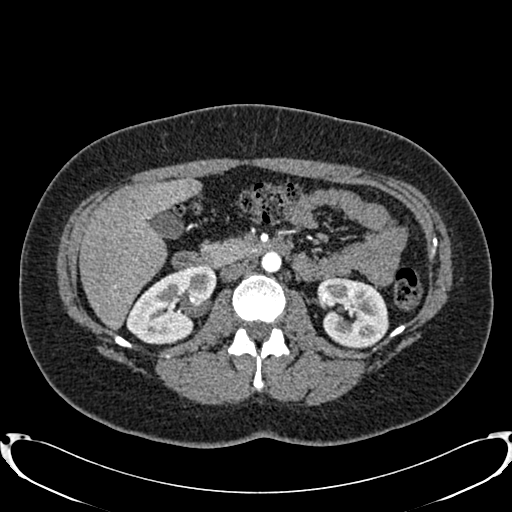
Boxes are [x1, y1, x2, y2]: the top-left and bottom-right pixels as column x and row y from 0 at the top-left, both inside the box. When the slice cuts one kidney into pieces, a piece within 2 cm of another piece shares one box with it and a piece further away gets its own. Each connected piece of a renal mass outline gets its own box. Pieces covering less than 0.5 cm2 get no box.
Arterial-phase contrast-enhanced abdominal CT, axial slice 457 of 719 (counted from the lowest slice); 1.00 mm thick, 0.766 mm per pixel. Boxed on this slice (two kidney boxes), listed by box centre from the image's left to its right: (1) Right kidney at [126, 265, 216, 344] (outlined area 4,741 px, about 27.8 cm2). (2) Left kidney, box [316, 277, 388, 348] (outlined area 3,975 px, about 23.3 cm2). No renal mass is outlined on this slice.
Scan settings: 120 kVp, B20f reconstruction kernel.